Abdominal CT with intravenous contrast, arterial phase, axial plane, 120 kVp, kernel I26f. Slice 753/987 from the bottom of the scan; thickness 1.00 mm; pixel size 0.977 mm.
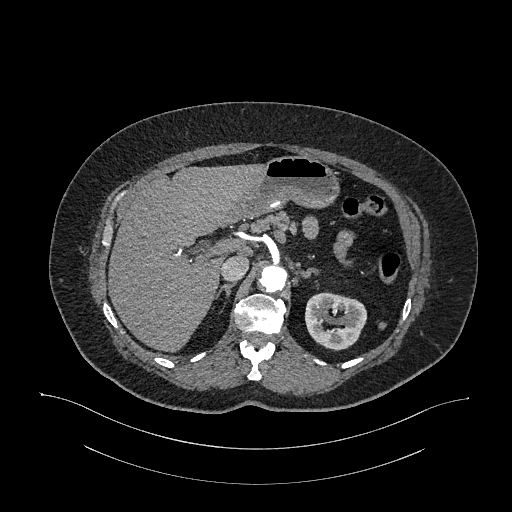
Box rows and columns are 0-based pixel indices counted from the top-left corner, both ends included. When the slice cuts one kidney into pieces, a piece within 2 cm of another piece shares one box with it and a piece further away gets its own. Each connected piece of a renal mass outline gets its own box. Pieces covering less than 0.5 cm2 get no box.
Left kidney, box rows 292–350, columns 305–367 (outlined area 2,744 px, about 26.2 cm2). This slice carries no renal mass outline.